Abdominal CT with intravenous contrast, arterial phase, axial plane, 120 kVp, kernel I31f. Slice 75/227 from the bottom of the scan; thickness 3.00 mm; pixel size 0.816 mm.
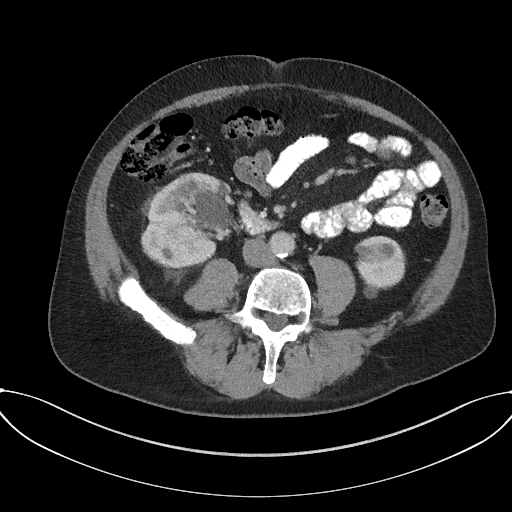
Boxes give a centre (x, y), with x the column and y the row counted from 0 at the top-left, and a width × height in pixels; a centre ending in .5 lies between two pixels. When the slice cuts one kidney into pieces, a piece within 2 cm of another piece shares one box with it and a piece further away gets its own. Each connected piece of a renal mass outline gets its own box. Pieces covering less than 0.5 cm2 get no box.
Two kidney boxes and two renal mass boxes on this slice; by box centre, from the image's left to its right: (1) Box centre (171.5, 218.5), 30 × 22 pixels: right renal mass (outlined area 378 px, about 2.5 cm2). (2) Box centre (178, 242.5), 35 × 40 pixels: right renal mass (outlined area 908 px, about 6.1 cm2). (3) Right kidney, box centre (187.5, 219.5), 94 × 96 pixels (outlined area 5,152 px, about 34.3 cm2). (4) Left kidney in a box with centre (380, 266), 51 × 63 pixels (outlined area 2,309 px, about 15.4 cm2).